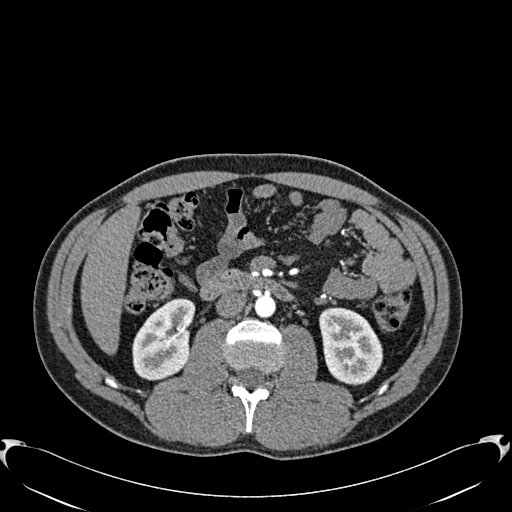
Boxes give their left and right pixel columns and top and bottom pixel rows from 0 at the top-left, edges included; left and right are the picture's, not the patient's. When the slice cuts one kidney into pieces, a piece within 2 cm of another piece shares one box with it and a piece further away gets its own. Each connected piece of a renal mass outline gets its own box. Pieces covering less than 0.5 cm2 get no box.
Slice 320/512 of a contrast-enhanced abdominal CT in the arterial phase, counting up from the lowest; pixel size 0.771 mm, slice thickness 1.00 mm. Boxed on this slice (two kidney boxes), listed by box centre from the image's left to its right: (1) Right kidney in the box with left 132, top 298, right 195, bottom 380 (outlined area 3,762 px, about 22.4 cm2). (2) Left kidney in the box with left 319, top 307, right 383, bottom 385 (outlined area 3,820 px, about 22.7 cm2). No renal mass outline on this slice.
Tube voltage 120 kVp; convolution kernel B30f.